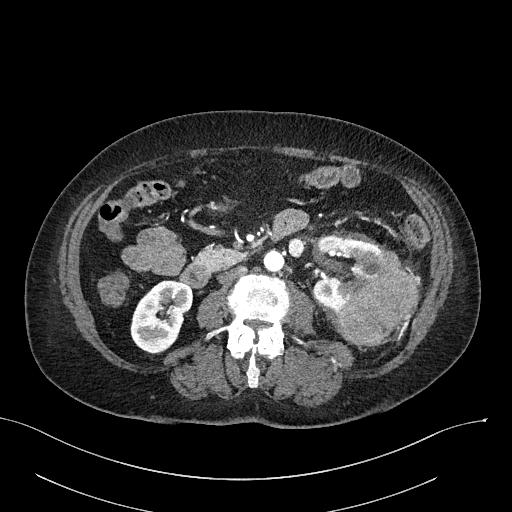
One axial slice (112 of 316, counting up from the lowest) of an arterial-phase abdominal CT acquired with 100 kVp, kernel I40f; each pixel is 0.840 mm and the slice is 2.00 mm thick.
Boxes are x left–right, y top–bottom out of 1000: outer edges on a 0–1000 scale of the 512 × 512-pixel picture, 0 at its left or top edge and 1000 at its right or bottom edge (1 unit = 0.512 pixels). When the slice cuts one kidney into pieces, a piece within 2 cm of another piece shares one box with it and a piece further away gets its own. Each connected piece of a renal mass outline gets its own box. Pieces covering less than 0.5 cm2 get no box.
Three boxes on this slice (two kidney boxes and one renal mass box), listed by box centre from the image's left to its right. (1) Right kidney, box x 254–375, y 547–691 out of 1000 (outlined area 3,260 px, about 23.0 cm2). (2) Box x 609–748, y 457–613 out of 1000: left kidney (outlined area 3,466 px, about 24.4 cm2). (3) Left renal mass at x 658–822, y 480–676 out of 1000 (outlined area 4,846 px, about 34.2 cm2).